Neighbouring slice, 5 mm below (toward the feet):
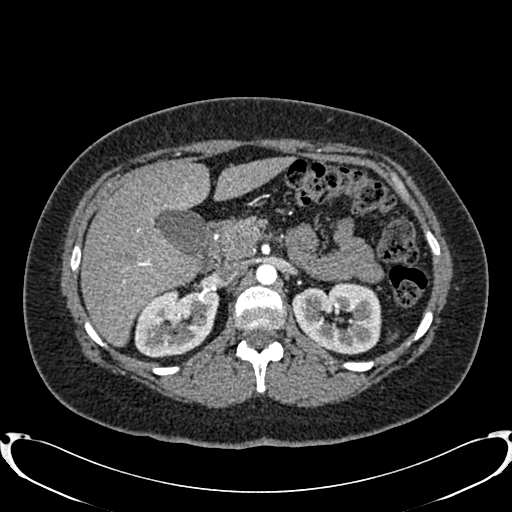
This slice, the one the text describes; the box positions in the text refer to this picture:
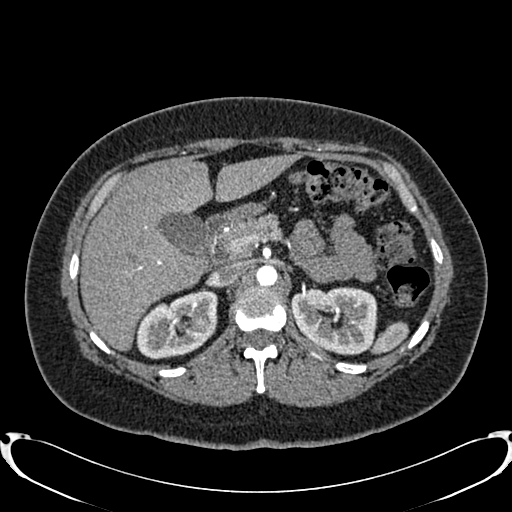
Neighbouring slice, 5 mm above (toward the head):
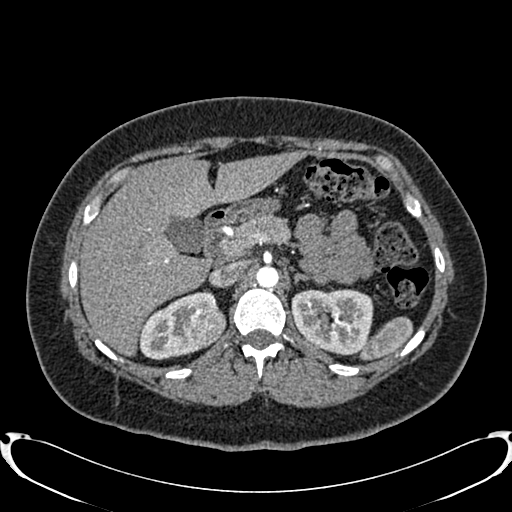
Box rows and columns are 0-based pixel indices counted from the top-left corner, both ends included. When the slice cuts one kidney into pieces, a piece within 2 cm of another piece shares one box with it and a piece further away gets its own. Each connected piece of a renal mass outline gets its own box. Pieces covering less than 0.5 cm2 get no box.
Arterial-phase contrast-enhanced abdominal CT, axial slice 540 of 719 (counted from the lowest slice); 1.00 mm thick, 0.766 mm per pixel. Boxed on this slice (two kidney boxes and one renal mass box), listed by box centre from the image's left to its right: (1) Box rows 288–359, columns 136–217: right kidney (outlined area 4,048 px, about 23.7 cm2). (2) Right renal mass at rows 322–333, columns 205–217 (outlined area 122 px, about 0.7 cm2). (3) Left kidney at rows 287–355, columns 290–377 (outlined area 4,704 px, about 27.6 cm2). This slice is near the end of the right renal mass toward the feet, so the slices 5 mm below and 5 mm above it are shown as well; the boxes refer to this slice only.
Scan settings: 120 kVp, B20f reconstruction kernel.